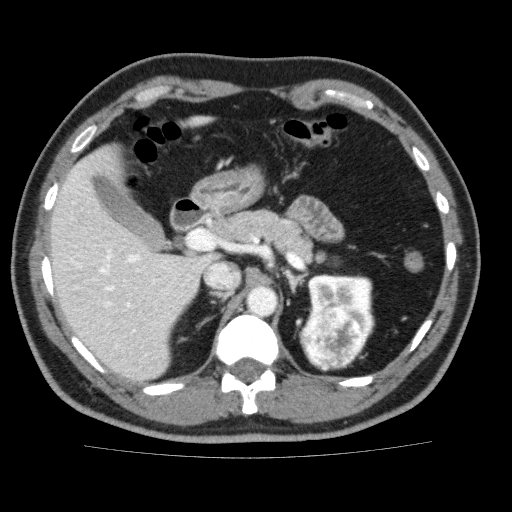
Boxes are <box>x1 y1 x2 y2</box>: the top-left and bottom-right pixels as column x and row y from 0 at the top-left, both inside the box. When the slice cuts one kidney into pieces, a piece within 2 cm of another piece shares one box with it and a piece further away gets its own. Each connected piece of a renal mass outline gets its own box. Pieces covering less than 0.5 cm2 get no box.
This is axial slice 119 of 159 (slice 1 is the lowest) of an abdominal CT with contrast; each pixel is 0.668 mm and the slice is 3.00 mm thick. Boxed on this slice (one kidney box and one renal mass box), listed by box centre from the image's left to its right: (1) Left renal mass at <box>298 307 364 371</box> (outlined area 3,224 px, about 14.4 cm2). (2) Left kidney: <box>306 274 374 345</box> (outlined area 2,648 px, about 11.8 cm2).
Tube voltage 120 kVp; convolution kernel FC13.